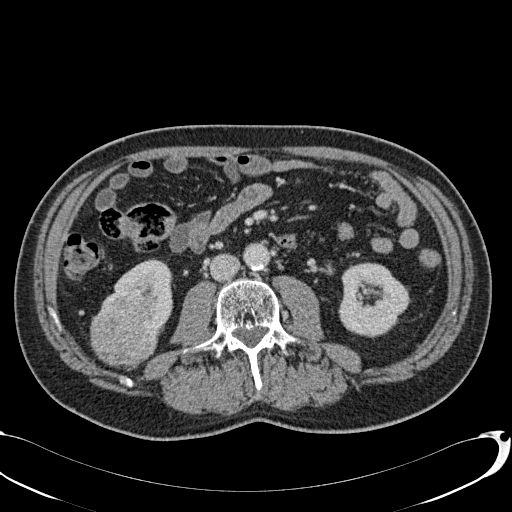
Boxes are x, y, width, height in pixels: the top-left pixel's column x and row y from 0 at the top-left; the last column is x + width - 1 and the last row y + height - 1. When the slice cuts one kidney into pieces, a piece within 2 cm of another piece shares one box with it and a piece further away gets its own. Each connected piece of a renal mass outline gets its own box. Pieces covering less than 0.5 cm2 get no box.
This is axial slice 23 of 113 (slice 1 is the lowest) of an abdominal CT with contrast; each pixel is 0.742 mm and the slice is 2.00 mm thick. Three boxes on this slice (two kidney boxes and one renal mass box), listed by box centre from the image's left to its right. (1) Right renal mass, box x 90, y 298, width 71, height 71 (outlined area 3,735 px, about 20.6 cm2). (2) Right kidney at x 99, y 258, width 75, height 74 (outlined area 2,651 px, about 14.6 cm2). (3) Left kidney at x 338, y 262, width 73, height 76 (outlined area 4,062 px, about 22.4 cm2).
Tube voltage 120 kVp; convolution kernel B31f.